Arterial-phase contrast-enhanced abdominal CT, axial slice 28 of 34 (counted from the lowest slice); tube voltage 120 kVp, convolution kernel B30f; slices 5.00 mm thick, 0.830 mm per pixel.
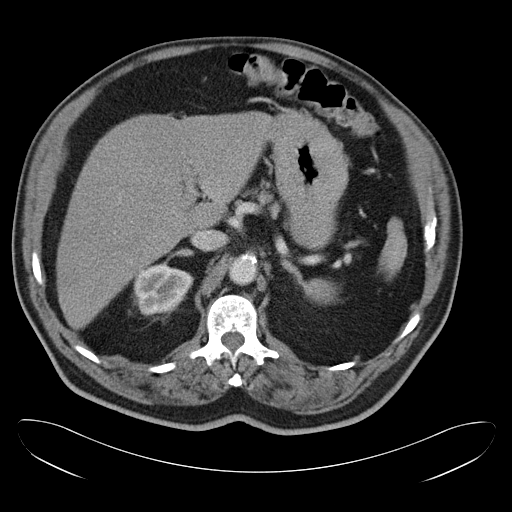
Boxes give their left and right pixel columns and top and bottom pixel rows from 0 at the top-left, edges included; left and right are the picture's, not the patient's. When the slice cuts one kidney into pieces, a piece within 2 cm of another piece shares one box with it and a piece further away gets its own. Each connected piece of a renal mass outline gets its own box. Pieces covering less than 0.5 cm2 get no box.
Right kidney in the box with left 133, top 263, right 193, bottom 314 (outlined area 2,336 px, about 16.1 cm2). This slice carries no renal mass outline.